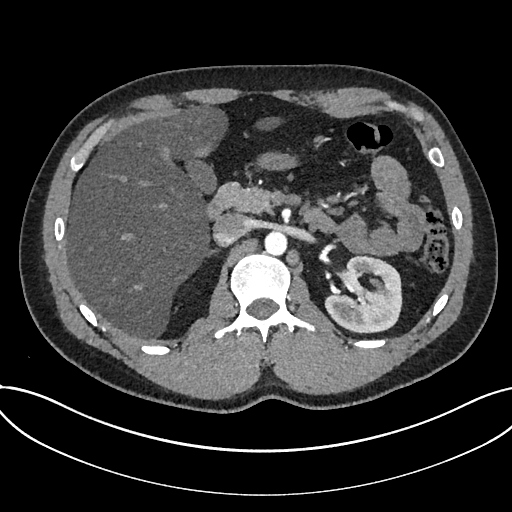
Abdominal CT with intravenous contrast, arterial phase, axial plane, 120 kVp, kernel I30f. Slice 478/735 from the bottom of the scan; thickness 1.00 mm; pixel size 0.789 mm.
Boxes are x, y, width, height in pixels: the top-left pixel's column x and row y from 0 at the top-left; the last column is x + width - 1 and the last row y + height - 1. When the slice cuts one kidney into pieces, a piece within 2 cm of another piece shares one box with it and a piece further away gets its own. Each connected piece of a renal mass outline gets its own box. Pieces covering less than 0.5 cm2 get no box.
Kidney, box x 324, y 254, width 79, height 79 (outlined area 4,532 px, about 28.2 cm2). This slice carries no renal mass outline.